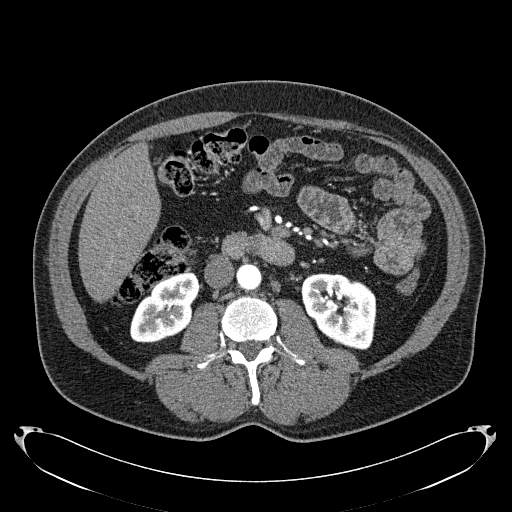
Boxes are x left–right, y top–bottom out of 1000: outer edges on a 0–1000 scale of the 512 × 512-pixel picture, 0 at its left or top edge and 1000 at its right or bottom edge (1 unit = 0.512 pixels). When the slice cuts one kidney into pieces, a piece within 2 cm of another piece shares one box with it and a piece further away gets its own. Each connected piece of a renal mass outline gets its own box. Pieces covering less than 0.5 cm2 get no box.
Slice 98/279 of a contrast-enhanced abdominal CT in the arterial phase, counting up from the lowest; pixel size 0.824 mm, slice thickness 2.00 mm. Two boxes on this slice (two kidney boxes), listed by box centre from the image's left to its right. (1) Right kidney, box x 254–391, y 529–670 out of 1000 (outlined area 3,309 px, about 22.5 cm2). (2) Box x 586–736, y 533–684 out of 1000: left kidney (outlined area 4,374 px, about 29.7 cm2). No renal mass is outlined on this slice.
Acquired at 120 kVp and reconstructed with the B31f kernel.